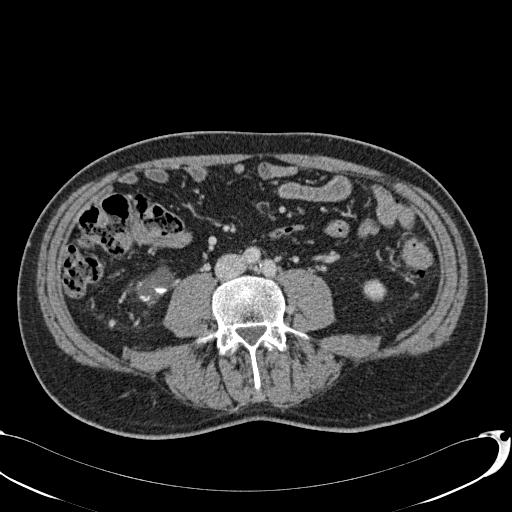
Abdominal CT with intravenous contrast, axial plane, 120 kVp, kernel B31f. Slice 9/113 from the bottom of the scan; thickness 2.00 mm; pixel size 0.742 mm.
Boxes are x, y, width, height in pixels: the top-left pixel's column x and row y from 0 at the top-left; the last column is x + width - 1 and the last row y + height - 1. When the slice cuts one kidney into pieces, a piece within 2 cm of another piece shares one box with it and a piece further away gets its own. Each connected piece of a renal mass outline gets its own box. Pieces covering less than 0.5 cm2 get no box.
Two boxes on this slice (two kidney boxes), listed by box centre from the image's left to its right. (1) Right kidney at x 136, y 266, width 40, height 41 (outlined area 953 px, about 5.2 cm2). (2) Left kidney, box x 363, y 279, width 24, height 23 (outlined area 428 px, about 2.4 cm2). No renal mass outline on this slice.